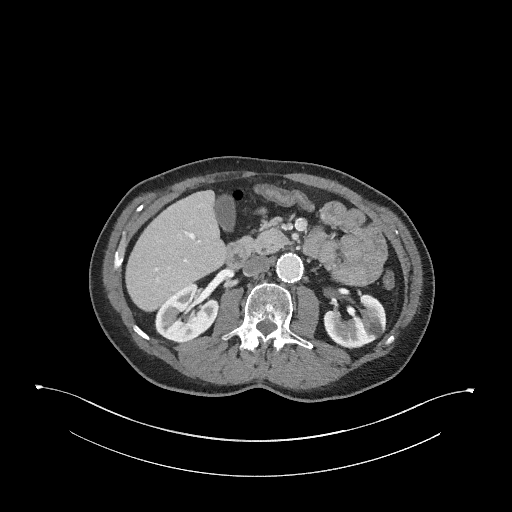
Abdominal CT with intravenous contrast, arterial phase, axial plane, 120 kVp, kernel I31f. Slice 154/345 from the bottom of the scan; thickness 2.00 mm; pixel size 0.977 mm.
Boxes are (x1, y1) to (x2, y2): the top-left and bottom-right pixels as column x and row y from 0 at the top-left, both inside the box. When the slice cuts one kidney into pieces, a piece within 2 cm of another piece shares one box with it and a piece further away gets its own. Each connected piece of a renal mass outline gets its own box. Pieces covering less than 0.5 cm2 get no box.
Boxed on this slice (two kidney boxes), listed by box centre from the image's left to its right: (1) Box (154, 283) to (218, 342): right kidney (outlined area 2,685 px, about 25.6 cm2). (2) Left kidney, box (323, 294) to (386, 348) (outlined area 2,404 px, about 22.9 cm2). This slice carries no renal mass outline.